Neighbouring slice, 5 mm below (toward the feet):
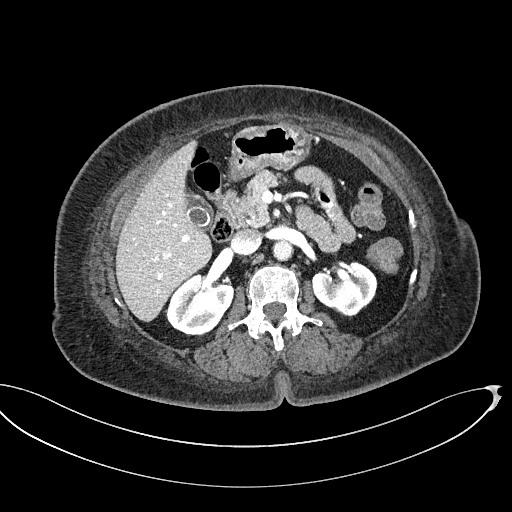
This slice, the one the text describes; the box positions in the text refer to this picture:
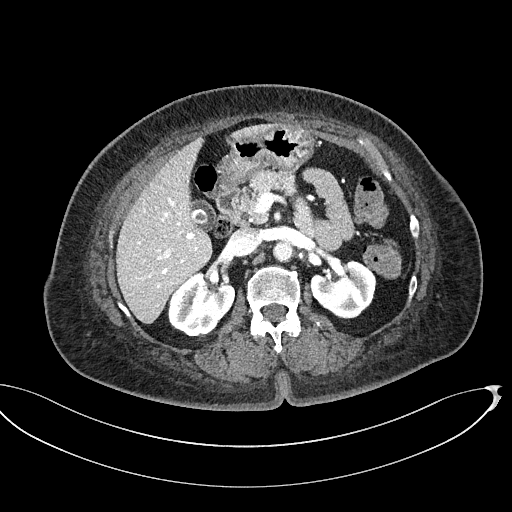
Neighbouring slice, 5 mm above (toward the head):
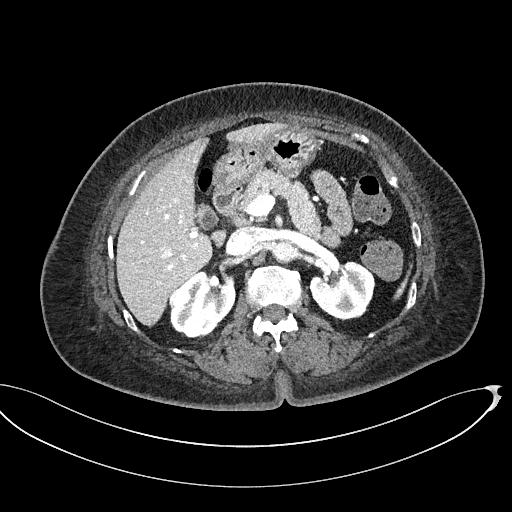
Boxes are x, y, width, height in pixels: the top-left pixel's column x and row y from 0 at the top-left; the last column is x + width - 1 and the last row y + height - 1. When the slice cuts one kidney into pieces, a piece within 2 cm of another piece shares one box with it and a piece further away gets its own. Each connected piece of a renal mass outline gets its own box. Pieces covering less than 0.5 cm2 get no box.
Contrast-enhanced abdominal CT, axial slice 315 of 439 (counted from the lowest slice); 2.00 mm thick, 0.850 mm per pixel. Two kidney boxes and one renal mass box on this slice; by box centre, from the image's left to its right: (1) Right renal mass, box x 170, y 289, width 12, height 14 (outlined area 111 px, about 0.8 cm2). (2) Box x 169, y 272, width 66, height 66: right kidney (outlined area 2,935 px, about 21.2 cm2). (3) Left kidney at x 310, y 260, width 67, height 59 (outlined area 2,814 px, about 20.3 cm2). This slice lies near the end of the right renal mass toward the feet; the slices 5 mm below and 5 mm above it are shown too, and the boxes mark positions on this slice only.
Scan settings: 100 kVp, I40f reconstruction kernel.